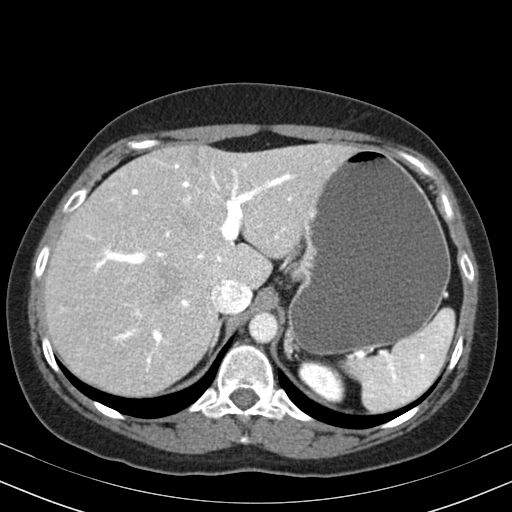
Axial slice 139 of 164 of a contrast-enhanced abdominal CT in the arterial phase (slice 1 is the lowest), 130 kVp, kernel B30s; 3.00 mm slice thickness and 0.664 mm pixels.
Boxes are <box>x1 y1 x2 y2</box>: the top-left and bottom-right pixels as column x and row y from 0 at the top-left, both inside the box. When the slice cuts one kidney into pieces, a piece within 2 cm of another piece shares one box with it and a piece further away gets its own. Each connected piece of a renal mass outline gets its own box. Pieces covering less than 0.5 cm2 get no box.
Left kidney: <box>298 360 345 402</box> (outlined area 1,388 px, about 6.1 cm2). This slice carries no renal mass outline.